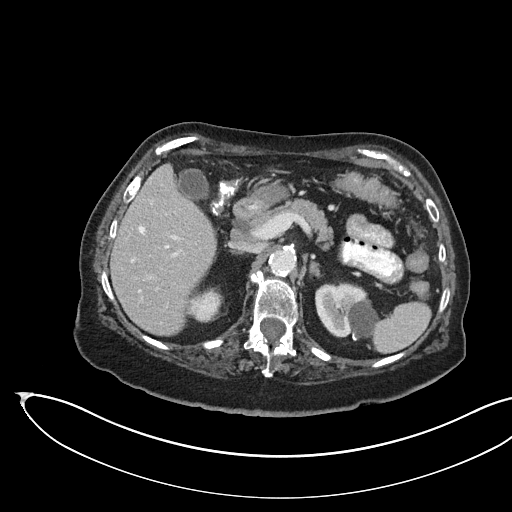
Abdominal CT with intravenous contrast, arterial phase, axial plane, 100 kVp, kernel I40f. Slice 109/145 from the bottom of the scan; thickness 3.00 mm; pixel size 0.834 mm.
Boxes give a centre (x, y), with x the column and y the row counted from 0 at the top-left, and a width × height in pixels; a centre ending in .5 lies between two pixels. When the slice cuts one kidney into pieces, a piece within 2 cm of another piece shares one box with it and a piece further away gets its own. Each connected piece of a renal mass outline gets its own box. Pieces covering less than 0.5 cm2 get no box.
Two boxes on this slice (two kidney boxes), listed by box centre from the image's left to its right. (1) Kidney, box centre (204, 305.5), 39 × 34 pixels (outlined area 865 px, about 6.0 cm2). (2) Kidney in a box with centre (347, 311.5), 65 × 58 pixels (outlined area 2,800 px, about 19.5 cm2). No renal mass is outlined on this slice.